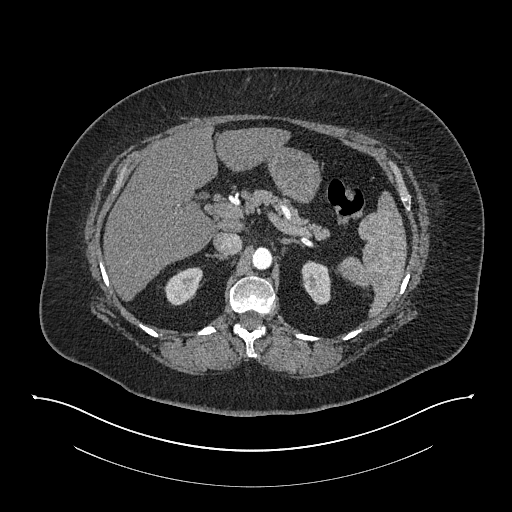
Axial slice 559 of 673 of a contrast-enhanced abdominal CT in the arterial phase (slice 1 is the lowest), 140 kVp, kernel I30f; 1.00 mm slice thickness and 0.957 mm pixels.
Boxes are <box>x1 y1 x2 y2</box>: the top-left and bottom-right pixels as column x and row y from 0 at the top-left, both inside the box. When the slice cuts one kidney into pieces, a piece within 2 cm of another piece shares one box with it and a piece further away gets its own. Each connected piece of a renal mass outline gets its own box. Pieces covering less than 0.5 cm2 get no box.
Two kidney boxes on this slice; by box centre, from the image's left to its right: (1) Right kidney at <box>164 267 202 305</box> (outlined area 1,059 px, about 9.7 cm2). (2) Left kidney: <box>301 260 331 305</box> (outlined area 1,031 px, about 9.4 cm2). This slice carries no renal mass outline.